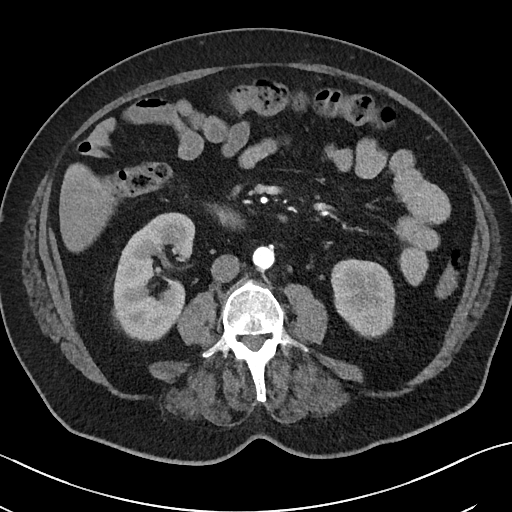
Contrast-enhanced abdominal CT, axial slice 14 of 50 (counted from the lowest slice); tube voltage 100 kVp, convolution kernel I40f; slices 5.00 mm thick, 0.723 mm per pixel.
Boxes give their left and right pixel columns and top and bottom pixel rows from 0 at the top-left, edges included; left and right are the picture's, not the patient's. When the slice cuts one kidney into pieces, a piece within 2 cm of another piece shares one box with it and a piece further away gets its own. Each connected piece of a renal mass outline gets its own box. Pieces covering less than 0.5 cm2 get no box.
Boxed on this slice (two kidney boxes), listed by box centre from the image's left to its right: (1) Right kidney in the box with left 113, top 212, right 195, bottom 341 (outlined area 7,067 px, about 36.9 cm2). (2) Left kidney in the box with left 331, top 259, right 395, bottom 336 (outlined area 4,022 px, about 21.0 cm2). This slice carries no renal mass outline.